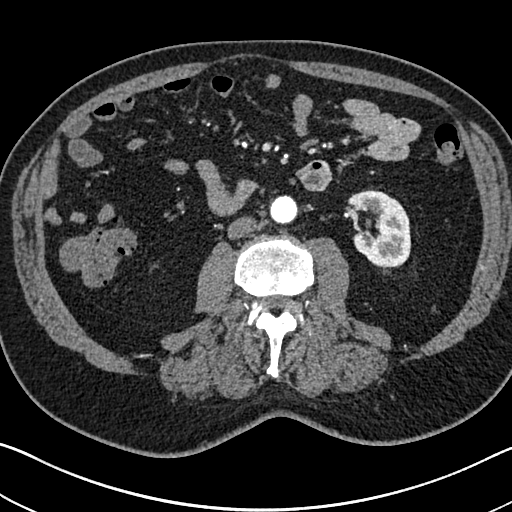
Abdominal CT with intravenous contrast, arterial phase, axial plane, 120 kVp, kernel I30f. Slice 337/705 from the bottom of the scan; thickness 1.00 mm; pixel size 0.703 mm.
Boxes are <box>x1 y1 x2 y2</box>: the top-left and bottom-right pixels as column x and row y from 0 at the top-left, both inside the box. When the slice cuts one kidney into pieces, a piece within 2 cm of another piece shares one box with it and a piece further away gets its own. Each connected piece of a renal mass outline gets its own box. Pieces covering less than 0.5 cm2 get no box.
Left kidney: <box>347 189 411 269</box> (outlined area 3,695 px, about 18.3 cm2). No renal mass outline on this slice.